One axial slice (202 of 527, counting up from the lowest) of an arterial-phase abdominal CT acquired with 120 kVp, kernel I30f; each pixel is 0.859 mm and the slice is 1.00 mm thick.
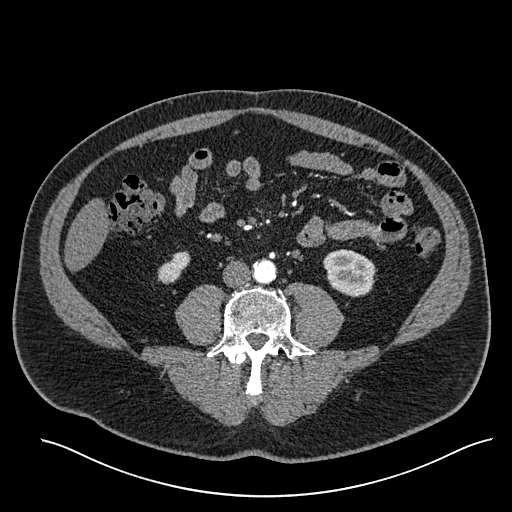
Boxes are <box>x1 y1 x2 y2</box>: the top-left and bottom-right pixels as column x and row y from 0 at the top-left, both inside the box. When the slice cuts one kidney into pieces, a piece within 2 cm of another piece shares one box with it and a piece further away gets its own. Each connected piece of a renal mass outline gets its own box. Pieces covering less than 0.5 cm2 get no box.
Two boxes on this slice (two kidney boxes), listed by box centre from the image's left to its right. (1) Right kidney at <box>157 251 190 284</box> (outlined area 675 px, about 5.0 cm2). (2) At <box>323 249 376 297</box>: left kidney (outlined area 1,942 px, about 14.3 cm2). This slice carries no renal mass outline.